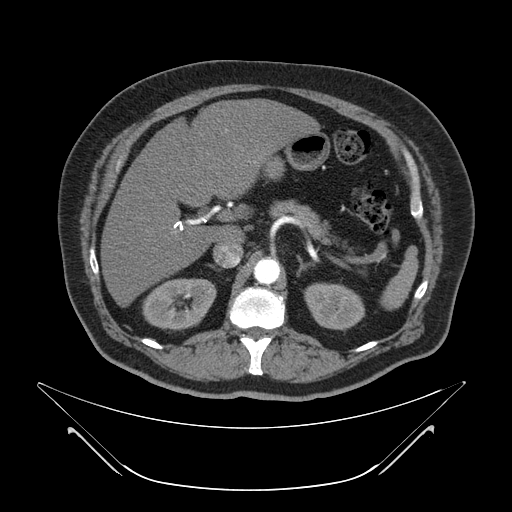
Contrast-enhanced abdominal CT, axial slice 37 of 64 (counted from the lowest slice); tube voltage 120 kVp, convolution kernel B; slices 4.00 mm thick, 0.977 mm per pixel.
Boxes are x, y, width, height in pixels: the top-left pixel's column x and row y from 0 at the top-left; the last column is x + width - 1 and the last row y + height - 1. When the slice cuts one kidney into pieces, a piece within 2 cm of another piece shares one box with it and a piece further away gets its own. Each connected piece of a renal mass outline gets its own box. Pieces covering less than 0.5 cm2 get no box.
Boxed on this slice (two kidney boxes), listed by box centre from the image's left to its right: (1) Right kidney, box x 142, y 278, width 75, height 53 (outlined area 2,978 px, about 28.4 cm2). (2) Left kidney, box x 303, y 283, width 62, height 48 (outlined area 2,222 px, about 21.2 cm2). No renal mass is outlined on this slice.